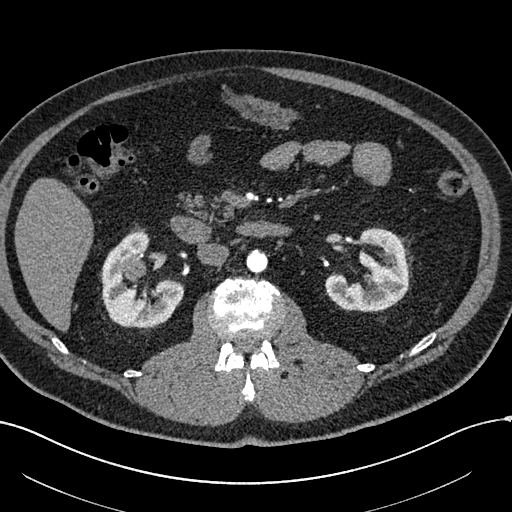
One axial slice (331 of 602, counting up from the lowest) of an arterial-phase abdominal CT acquired with 120 kVp, kernel I30f; each pixel is 0.799 mm and the slice is 1.00 mm thick.
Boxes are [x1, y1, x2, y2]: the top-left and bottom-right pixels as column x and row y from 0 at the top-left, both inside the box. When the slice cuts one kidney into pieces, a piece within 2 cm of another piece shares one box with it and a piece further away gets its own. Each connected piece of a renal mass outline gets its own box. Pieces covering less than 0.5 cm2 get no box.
Boxed on this slice (two kidney boxes and one renal mass box), listed by box centre from the image's left to its right: (1) Right renal mass, box [121, 254, 146, 278] (outlined area 473 px, about 3.0 cm2). (2) Right kidney, box [102, 231, 184, 327] (outlined area 4,704 px, about 30.0 cm2). (3) Left kidney, box [325, 227, 409, 311] (outlined area 4,427 px, about 28.2 cm2).